One axial slice (276 of 591, counting up from the lowest) of an arterial-phase abdominal CT acquired with 140 kVp, kernel I30f; each pixel is 0.703 mm and the slice is 1.00 mm thick.
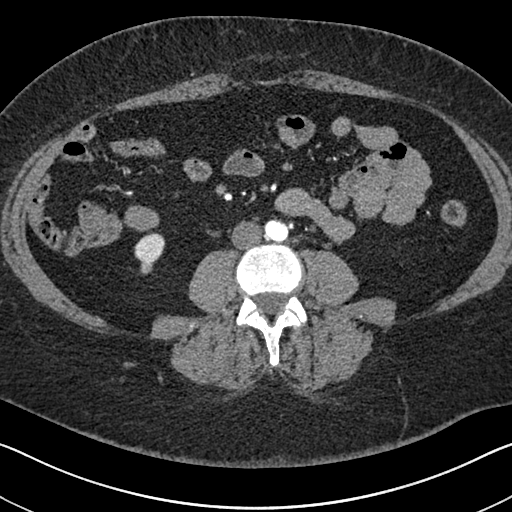
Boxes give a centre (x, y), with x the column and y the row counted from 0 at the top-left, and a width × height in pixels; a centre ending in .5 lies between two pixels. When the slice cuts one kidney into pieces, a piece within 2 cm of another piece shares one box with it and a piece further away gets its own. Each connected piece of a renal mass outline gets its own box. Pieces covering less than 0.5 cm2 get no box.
Right kidney, box centre (149.5, 253), 32 × 43 pixels (outlined area 876 px, about 4.3 cm2). No renal mass is outlined on this slice.